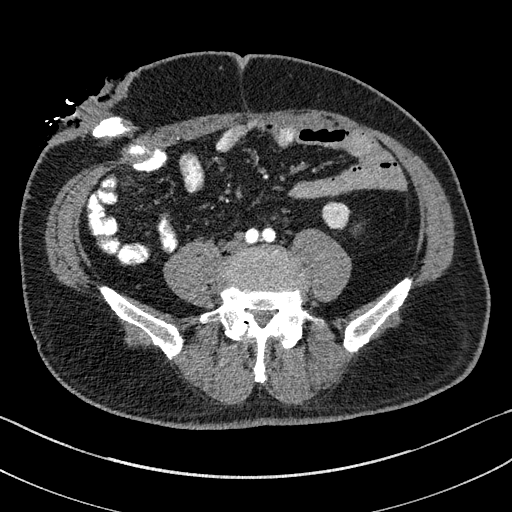
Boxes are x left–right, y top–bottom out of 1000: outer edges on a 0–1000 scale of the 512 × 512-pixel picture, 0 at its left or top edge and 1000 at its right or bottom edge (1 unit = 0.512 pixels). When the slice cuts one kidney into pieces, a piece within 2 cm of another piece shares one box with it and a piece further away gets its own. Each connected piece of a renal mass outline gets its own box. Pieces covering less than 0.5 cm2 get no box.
Slice 25/195 of a contrast-enhanced abdominal CT in the arterial phase, counting up from the lowest; pixel size 0.707 mm, slice thickness 1.50 mm. Left kidney at x 629–684, y 395–447 out of 1000 (outlined area 594 px, about 3.0 cm2). This slice carries no renal mass outline.
Tube voltage 100 kVp; convolution kernel I31f.